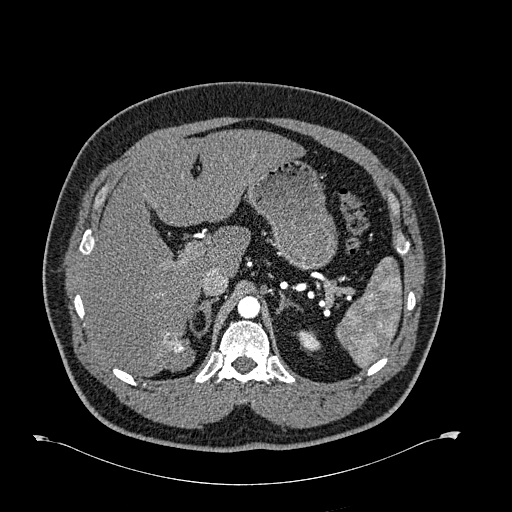
Abdominal CT with intravenous contrast, arterial phase, axial plane, 120 kVp, kernel B30f. Slice 495/723 from the bottom of the scan; thickness 1.00 mm; pixel size 0.895 mm.
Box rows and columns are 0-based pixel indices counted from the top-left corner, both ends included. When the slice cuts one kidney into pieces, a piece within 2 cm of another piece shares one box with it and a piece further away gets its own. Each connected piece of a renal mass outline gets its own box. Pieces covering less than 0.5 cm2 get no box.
Left kidney at rows 330–353, columns 297–321 (outlined area 383 px, about 3.1 cm2). No renal mass is outlined on this slice.